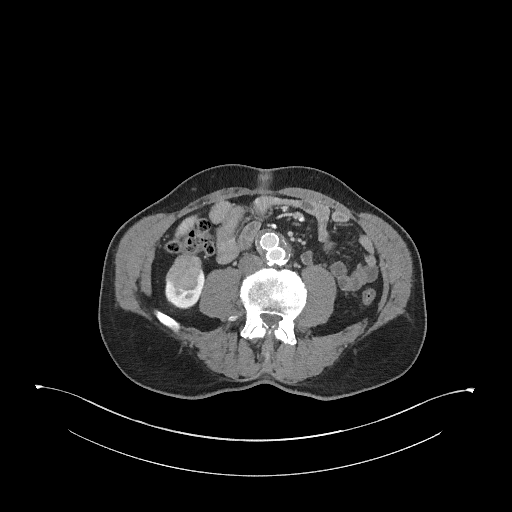
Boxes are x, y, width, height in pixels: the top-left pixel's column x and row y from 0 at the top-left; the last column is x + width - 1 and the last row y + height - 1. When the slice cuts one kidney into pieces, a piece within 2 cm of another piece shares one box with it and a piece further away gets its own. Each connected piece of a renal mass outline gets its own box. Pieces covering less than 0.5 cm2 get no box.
Slice 123/345 of a contrast-enhanced abdominal CT in the arterial phase, counting up from the lowest; pixel size 0.977 mm, slice thickness 2.00 mm. Boxed on this slice (one kidney box and one renal mass box), listed by box centre from the image's left to its right: (1) Right renal mass, box x 165, y 253, width 38, height 37 (outlined area 992 px, about 9.5 cm2). (2) Box x 164, y 271, width 41, height 39: right kidney (outlined area 772 px, about 7.4 cm2).
Scan settings: 120 kVp, I31f reconstruction kernel.